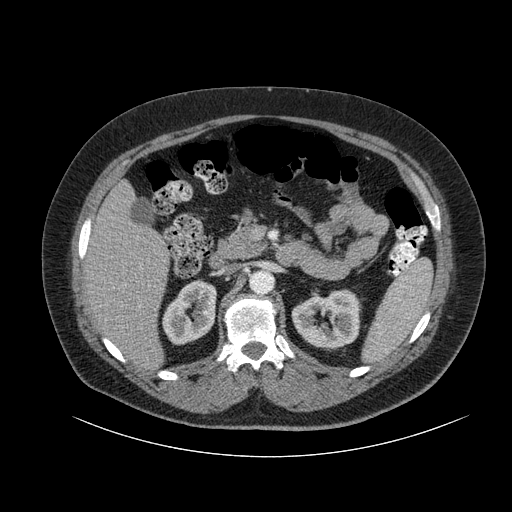
Axial slice 58 of 105 of a contrast-enhanced abdominal CT (slice 1 is the lowest), 120 kVp, kernel B; 3.00 mm slice thickness and 0.977 mm pixels.
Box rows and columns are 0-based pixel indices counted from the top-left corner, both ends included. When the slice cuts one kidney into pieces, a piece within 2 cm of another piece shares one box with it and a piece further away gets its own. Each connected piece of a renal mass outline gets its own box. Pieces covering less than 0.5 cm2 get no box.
Two boxes on this slice (two kidney boxes), listed by box centre from the image's left to its right. (1) Right kidney at rows 279–345, columns 162–217 (outlined area 2,629 px, about 25.1 cm2). (2) Box rows 289–351, columns 291–360: left kidney (outlined area 3,169 px, about 30.2 cm2). No renal mass is outlined on this slice.